Abdominal CT with intravenous contrast, arterial phase, axial plane, 100 kVp, kernel I30f. Slice 64/304 from the bottom of the scan; thickness 2.00 mm; pixel size 0.809 mm.
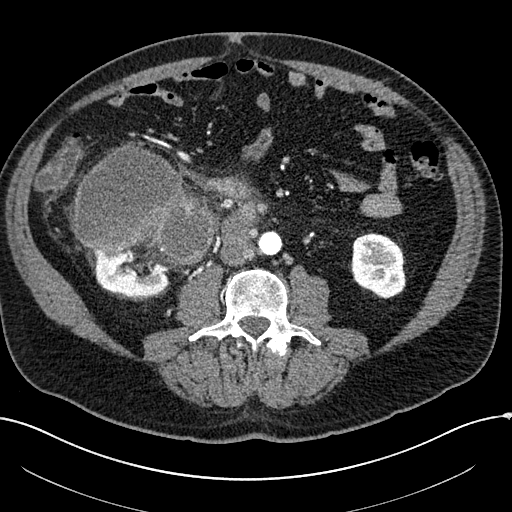
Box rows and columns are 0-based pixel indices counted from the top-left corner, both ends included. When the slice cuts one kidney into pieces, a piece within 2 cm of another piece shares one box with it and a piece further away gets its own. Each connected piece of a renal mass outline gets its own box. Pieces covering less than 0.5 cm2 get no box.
Three boxes on this slice (two kidney boxes and one renal mass box), listed by box centre from the image's left to its right. (1) Right kidney at rows 251–297, columns 91–168 (outlined area 2,626 px, about 17.2 cm2). (2) Right renal mass, box rows 145–270, columns 73–215 (outlined area 12,595 px, about 82.3 cm2). (3) Left kidney, box rows 232–298, columns 350–405 (outlined area 2,907 px, about 19.0 cm2).